Axial slice 235 of 433 of a contrast-enhanced abdominal CT (slice 1 is the lowest), 120 kVp, kernel B30f; 1.00 mm slice thickness and 0.672 mm pixels.
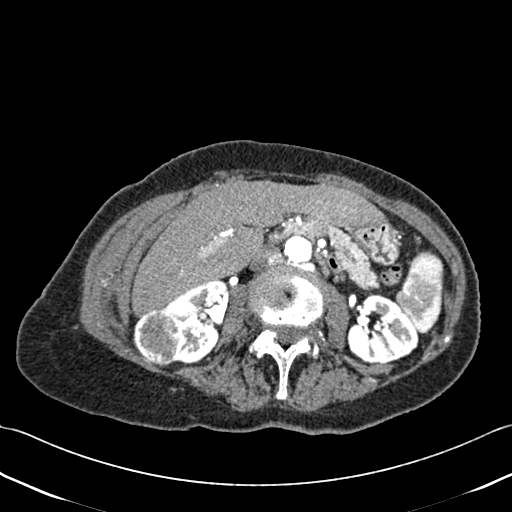
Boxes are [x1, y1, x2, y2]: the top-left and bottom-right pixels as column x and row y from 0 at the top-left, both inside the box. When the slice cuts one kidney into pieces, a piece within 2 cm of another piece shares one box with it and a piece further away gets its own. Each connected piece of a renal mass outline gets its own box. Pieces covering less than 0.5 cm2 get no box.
Three boxes on this slice (two kidney boxes and one renal mass box), listed by box centre from the image's left to its right. (1) Box [133, 309, 182, 366]: right renal mass (outlined area 2,178 px, about 9.8 cm2). (2) Box [163, 280, 227, 364]: right kidney (outlined area 3,359 px, about 15.2 cm2). (3) Left kidney, box [347, 293, 418, 364] (outlined area 3,610 px, about 16.3 cm2).